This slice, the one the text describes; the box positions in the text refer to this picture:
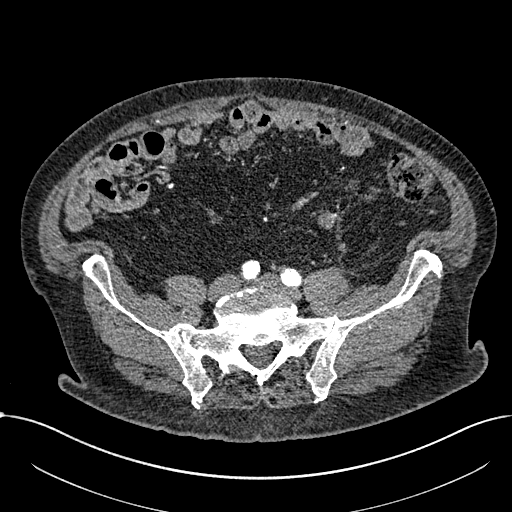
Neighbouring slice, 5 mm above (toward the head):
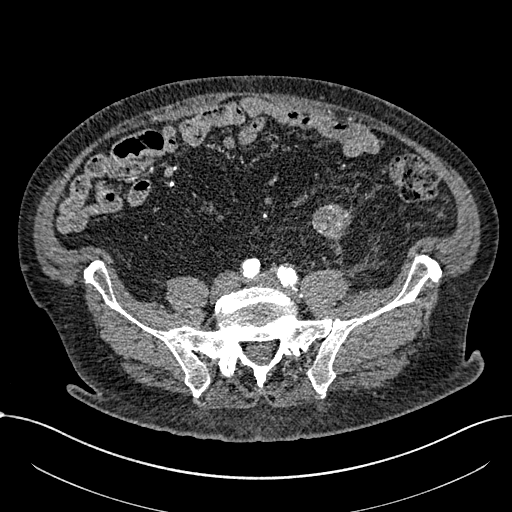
One axial slice (151 of 1059, counting up from the lowest) of an arterial-phase abdominal CT acquired with 100 kVp, kernel I30f; each pixel is 0.811 mm and the slice is 1.00 mm thick.
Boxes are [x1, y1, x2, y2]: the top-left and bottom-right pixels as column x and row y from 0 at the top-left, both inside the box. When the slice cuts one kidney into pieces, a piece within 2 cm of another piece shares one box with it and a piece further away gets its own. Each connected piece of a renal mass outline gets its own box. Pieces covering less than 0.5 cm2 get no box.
Box [318, 211, 337, 229]: renal mass (outlined area 269 px, about 1.8 cm2); this slice has no kidney outline, though on another slice the same outlined renal mass lies within 1 cm of the kidney. This slice lies near the end of a renal mass toward the feet; the slice 5 mm above it is shown too, and the boxes mark positions on this slice only.